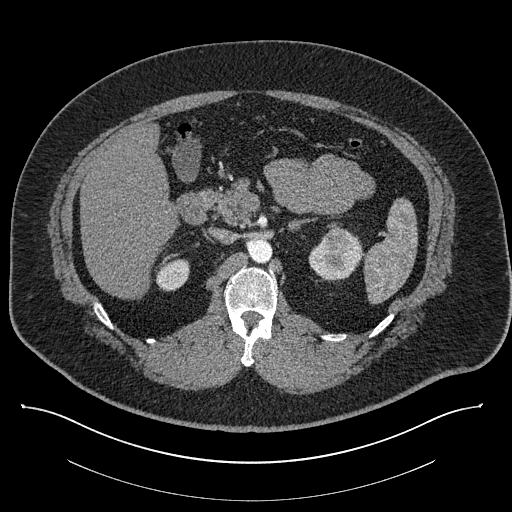
One axial slice (544 of 787, counting up from the lowest) of a contrast-enhanced abdominal CT acquired with 140 kVp, kernel I30f; each pixel is 0.910 mm and the slice is 1.00 mm thick.
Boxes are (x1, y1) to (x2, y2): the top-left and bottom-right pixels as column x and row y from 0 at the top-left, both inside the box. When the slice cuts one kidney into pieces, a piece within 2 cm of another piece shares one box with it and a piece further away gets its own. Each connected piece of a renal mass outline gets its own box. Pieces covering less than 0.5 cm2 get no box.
Boxed on this slice (two kidney boxes and one renal mass box), listed by box centre from the image's left to its right: (1) Right kidney, box (155, 259) to (189, 291) (outlined area 875 px, about 7.2 cm2). (2) Left kidney from (308, 232) to (362, 279) (outlined area 1,596 px, about 13.2 cm2). (3) Left renal mass from (323, 226) to (349, 250) (outlined area 524 px, about 4.3 cm2).